One axial slice (141 of 186, counting up from the lowest) of a contrast-enhanced abdominal CT acquired with 120 kVp, kernel STANDARD; each pixel is 0.850 mm and the slice is 2.50 mm thick.
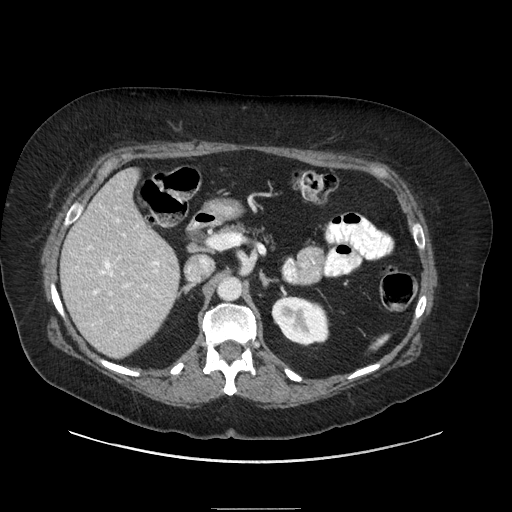
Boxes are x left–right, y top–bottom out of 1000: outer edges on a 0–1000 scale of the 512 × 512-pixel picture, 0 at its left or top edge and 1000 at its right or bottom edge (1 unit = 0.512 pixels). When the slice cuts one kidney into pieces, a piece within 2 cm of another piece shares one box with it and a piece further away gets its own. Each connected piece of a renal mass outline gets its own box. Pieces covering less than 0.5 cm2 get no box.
Left kidney, box x 529–645, y 578–678 out of 1000 (outlined area 2,234 px, about 16.1 cm2). This slice carries no renal mass outline.